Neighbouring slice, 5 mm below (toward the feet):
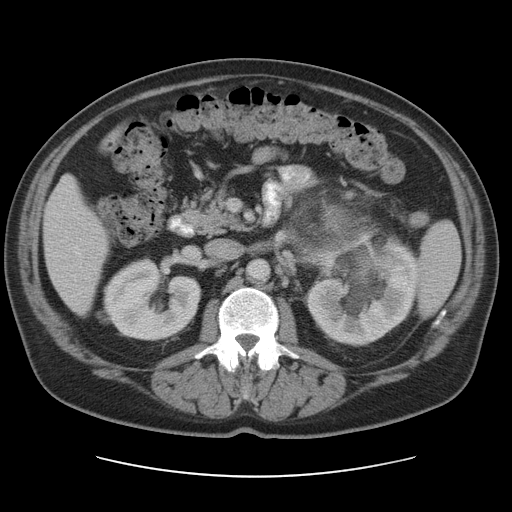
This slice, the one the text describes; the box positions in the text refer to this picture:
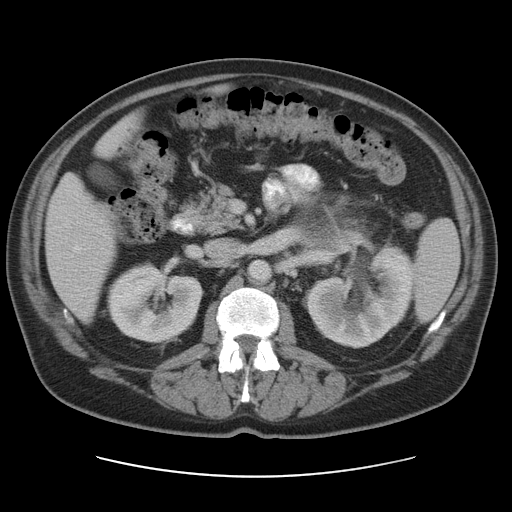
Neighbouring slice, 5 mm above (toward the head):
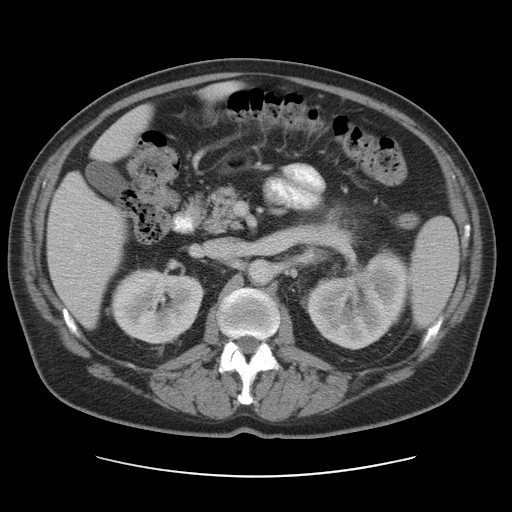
One axial slice (64 of 95, counting up from the lowest) of a contrast-enhanced abdominal CT acquired with 120 kVp, kernel STANDARD; each pixel is 0.781 mm and the slice is 5.00 mm thick.
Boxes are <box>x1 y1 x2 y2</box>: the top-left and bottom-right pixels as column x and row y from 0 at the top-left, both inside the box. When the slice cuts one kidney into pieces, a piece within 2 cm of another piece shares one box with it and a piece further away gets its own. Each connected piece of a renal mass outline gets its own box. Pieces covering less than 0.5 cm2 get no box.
Two kidney boxes and one renal mass box on this slice; by box centre, from the image's left to its right: (1) Right kidney at <box>107 265 203 343</box> (outlined area 5,831 px, about 35.6 cm2). (2) Left renal mass: <box>293 203 349 253</box> (outlined area 2,242 px, about 13.7 cm2); it sits over 1 cm from every kidney outline on this slice, but the same outlined renal mass comes within 1 cm of the kidney on another slice. (3) Left kidney at <box>307 246 412 347</box> (outlined area 7,616 px, about 46.5 cm2). This slice is near the end of the left renal mass toward the head, so the slices 5 mm below and 5 mm above it are shown as well; the boxes refer to this slice only.